One axial slice (58 of 131, counting up from the lowest) of an arterial-phase abdominal CT acquired with 120 kVp, kernel B41f; each pixel is 0.760 mm and the slice is 5.00 mm thick.
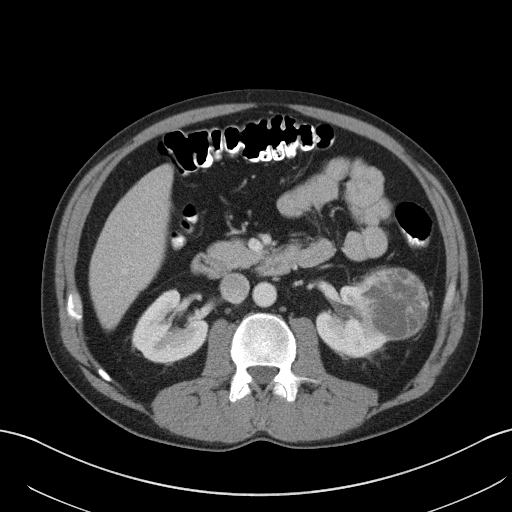
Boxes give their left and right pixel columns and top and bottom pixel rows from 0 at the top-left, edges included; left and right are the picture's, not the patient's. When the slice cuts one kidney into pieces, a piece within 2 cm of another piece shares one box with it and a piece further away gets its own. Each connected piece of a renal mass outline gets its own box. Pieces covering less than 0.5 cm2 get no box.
Two kidney boxes and one renal mass box on this slice; by box centre, from the image's left to its right: (1) Box with left 132, top 289, right 209, bottom 364: right kidney (outlined area 3,753 px, about 21.7 cm2). (2) Box with left 315, top 284, right 389, bottom 357: left kidney (outlined area 2,949 px, about 17.0 cm2). (3) Left renal mass in the box with left 357, top 268, right 428, bottom 340 (outlined area 3,970 px, about 22.9 cm2).